Axial slice 41 of 195 of a contrast-enhanced abdominal CT in the arterial phase (slice 1 is the lowest), 100 kVp, kernel I31f; 1.50 mm slice thickness and 0.707 mm pixels.
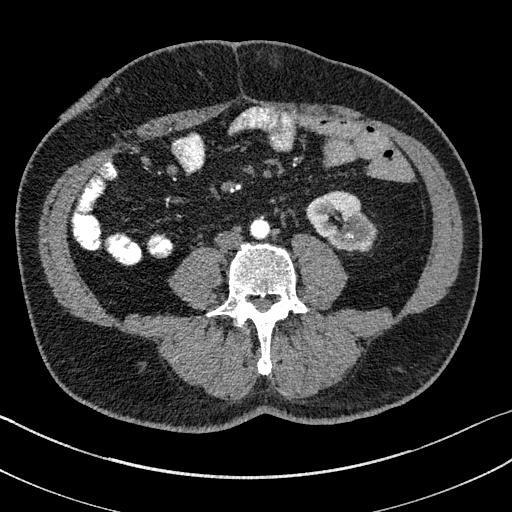
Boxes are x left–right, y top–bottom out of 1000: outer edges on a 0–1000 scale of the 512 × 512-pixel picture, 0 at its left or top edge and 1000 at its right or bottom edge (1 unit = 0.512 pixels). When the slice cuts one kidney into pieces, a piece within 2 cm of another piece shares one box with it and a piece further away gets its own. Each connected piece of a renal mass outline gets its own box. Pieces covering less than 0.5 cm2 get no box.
Box x 598–736, y 373–492 out of 1000: left kidney (outlined area 2,810 px, about 14.0 cm2). This slice carries no renal mass outline.